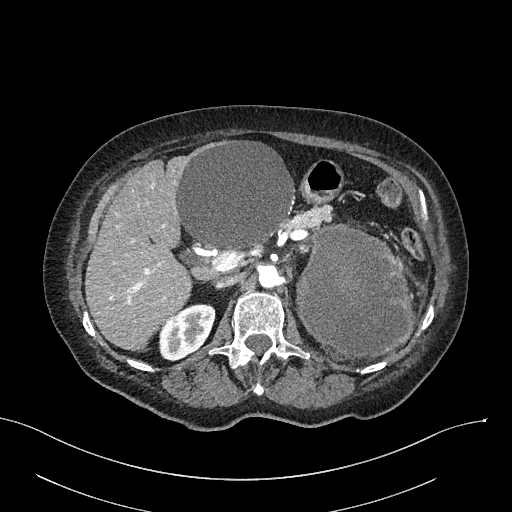
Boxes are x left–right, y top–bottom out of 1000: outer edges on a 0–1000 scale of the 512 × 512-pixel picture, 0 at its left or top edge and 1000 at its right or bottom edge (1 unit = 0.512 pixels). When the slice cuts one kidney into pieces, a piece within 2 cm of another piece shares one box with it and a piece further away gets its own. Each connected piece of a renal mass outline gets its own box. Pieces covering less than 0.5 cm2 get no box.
Slice 168/316 of a contrast-enhanced abdominal CT in the arterial phase, counting up from the lowest; pixel size 0.840 mm, slice thickness 2.00 mm. Boxed on this slice (one kidney box and one renal mass box), listed by box centre from the image's left to its right: (1) Box x 309–422, y 594–707 out of 1000: right kidney (outlined area 2,310 px, about 16.3 cm2). (2) Box x 576–809, y 438–699 out of 1000: left renal mass (outlined area 12,154 px, about 85.7 cm2); it sits over 1 cm from every kidney outline on this slice, but the same outlined renal mass comes within 1 cm of the kidney on another slice.
Acquired at 100 kVp and reconstructed with the I40f kernel.